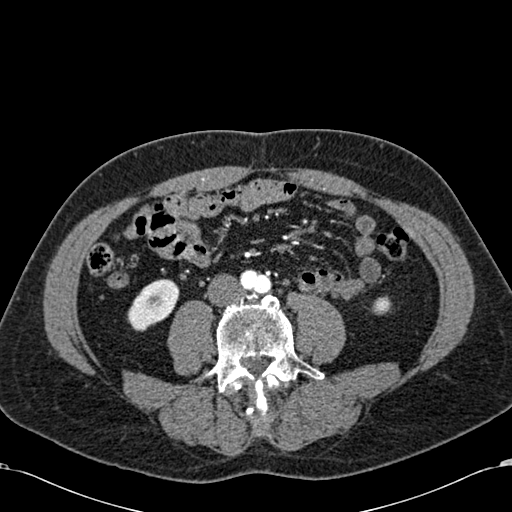
Axial slice 211 of 581 of a contrast-enhanced abdominal CT in the arterial phase (slice 1 is the lowest), 120 kVp, kernel B30f; 1.00 mm slice thickness and 0.713 mm pixels.
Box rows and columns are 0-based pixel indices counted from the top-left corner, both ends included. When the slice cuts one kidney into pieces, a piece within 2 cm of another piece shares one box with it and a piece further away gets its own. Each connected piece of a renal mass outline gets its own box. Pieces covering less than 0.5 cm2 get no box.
Two boxes on this slice (two kidney boxes), listed by box centre from the image's left to its right. (1) Right kidney at rows 279–331, columns 127–179 (outlined area 1,834 px, about 9.3 cm2). (2) Left kidney, box rows 297–312, columns 371–389 (outlined area 251 px, about 1.3 cm2). No renal mass is outlined on this slice.